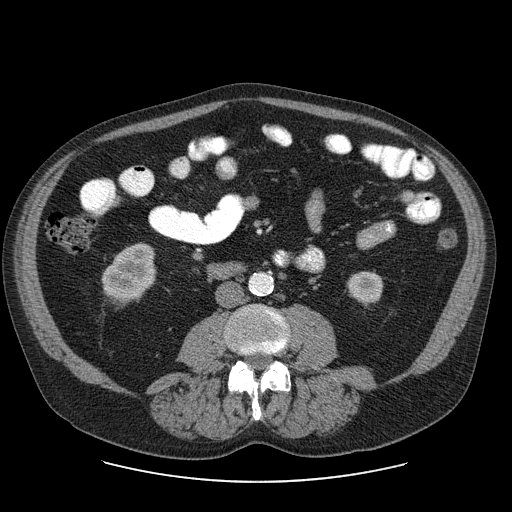
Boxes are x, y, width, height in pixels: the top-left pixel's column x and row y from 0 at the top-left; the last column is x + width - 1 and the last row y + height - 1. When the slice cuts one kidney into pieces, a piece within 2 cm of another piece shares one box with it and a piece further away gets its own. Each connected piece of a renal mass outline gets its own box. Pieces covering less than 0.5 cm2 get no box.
Contrast-enhanced abdominal CT, axial slice 18 of 103 (counted from the lowest slice); 2.50 mm thick, 0.820 mm per pixel. Two kidney boxes on this slice; by box centre, from the image's left to its right: (1) Right kidney at x 101, y 243, width 56, height 61 (outlined area 2,445 px, about 16.5 cm2). (2) Left kidney at x 346, y 271, width 38, height 33 (outlined area 975 px, about 6.6 cm2). No renal mass is outlined on this slice.
Scan settings: 120 kVp, STANDARD reconstruction kernel.